Abdominal CT with intravenous contrast, axial plane, 120 kVp, kernel I40f. Slice 51/102 from the bottom of the scan; thickness 5.00 mm; pixel size 0.977 mm.
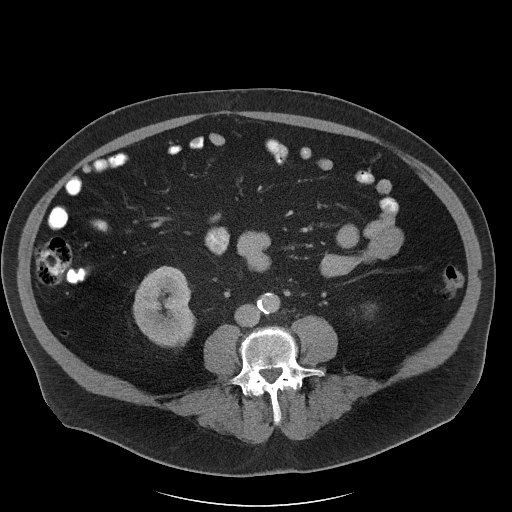
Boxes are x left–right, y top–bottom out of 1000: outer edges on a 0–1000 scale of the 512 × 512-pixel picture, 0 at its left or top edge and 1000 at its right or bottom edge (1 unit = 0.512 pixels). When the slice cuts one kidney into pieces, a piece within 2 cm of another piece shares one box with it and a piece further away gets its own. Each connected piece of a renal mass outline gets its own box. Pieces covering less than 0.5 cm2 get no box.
Box x 260–383, y 518–680 out of 1000: right kidney (outlined area 3,903 px, about 37.2 cm2). This slice carries no renal mass outline.